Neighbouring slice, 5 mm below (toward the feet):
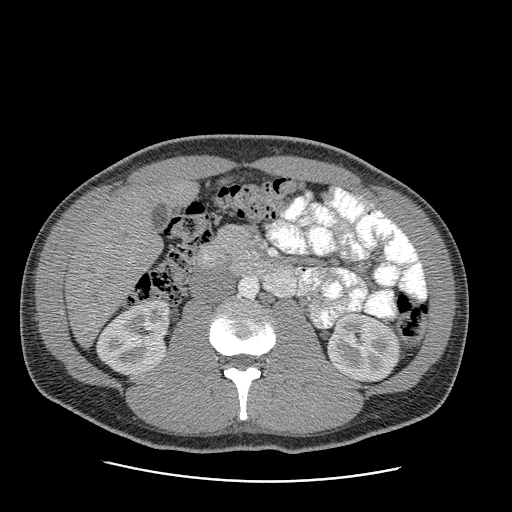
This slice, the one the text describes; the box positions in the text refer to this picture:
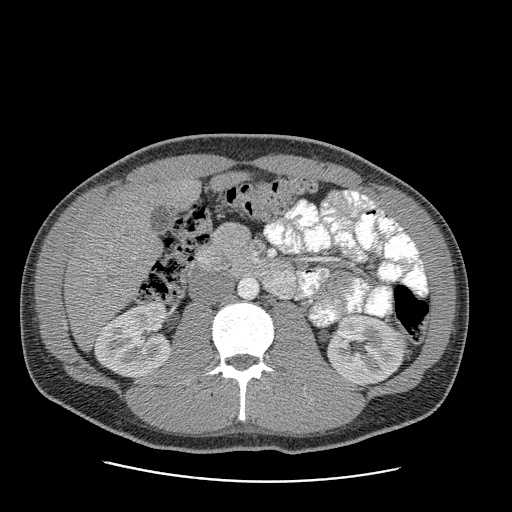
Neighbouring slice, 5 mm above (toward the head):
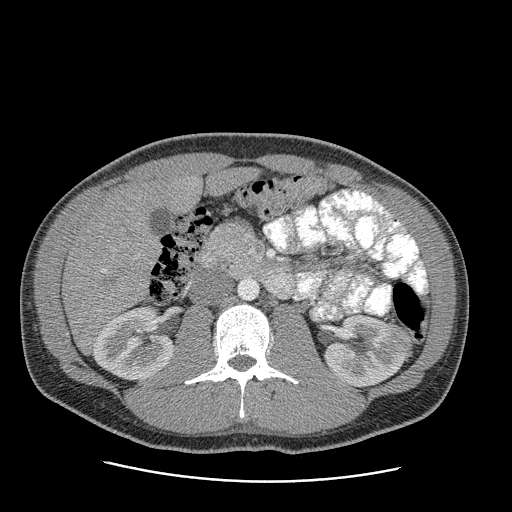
One axial slice (143 of 199, counting up from the lowest) of an arterial-phase abdominal CT acquired with 120 kVp, kernel STANDARD; each pixel is 0.789 mm and the slice is 2.50 mm thick.
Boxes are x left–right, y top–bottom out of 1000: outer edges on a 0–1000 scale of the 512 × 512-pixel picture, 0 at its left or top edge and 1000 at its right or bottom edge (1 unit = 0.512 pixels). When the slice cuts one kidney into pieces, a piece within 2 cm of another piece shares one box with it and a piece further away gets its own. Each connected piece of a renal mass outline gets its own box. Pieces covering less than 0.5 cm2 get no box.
Three boxes on this slice (two kidney boxes and one renal mass box), listed by box centre from the image's left to its right. (1) Box x 182–332, y 590–738 out of 1000: right kidney (outlined area 4,297 px, about 26.8 cm2). (2) Left kidney, box x 637–789, y 611–754 out of 1000 (outlined area 4,016 px, about 25.0 cm2). (3) Box x 762–795, y 645–693 out of 1000: left renal mass (outlined area 305 px, about 1.9 cm2). This slice lies near the end of the left renal mass toward the feet; the slices 5 mm below and 5 mm above it are shown too, and the boxes mark positions on this slice only.